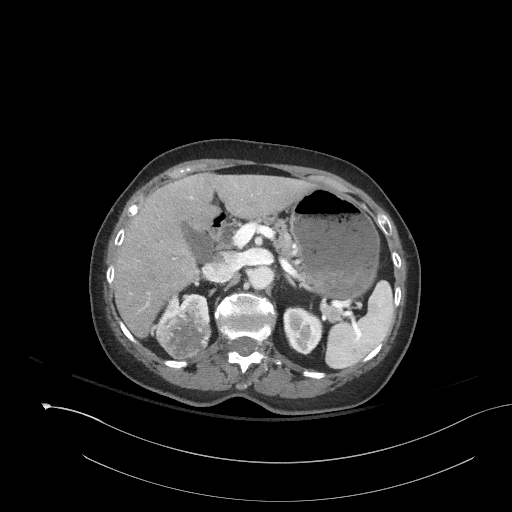
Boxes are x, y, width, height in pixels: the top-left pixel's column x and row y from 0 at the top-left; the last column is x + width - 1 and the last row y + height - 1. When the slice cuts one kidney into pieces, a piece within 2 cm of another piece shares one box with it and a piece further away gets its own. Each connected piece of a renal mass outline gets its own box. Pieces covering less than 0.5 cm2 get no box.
Slice 111/153 of a contrast-enhanced abdominal CT, counting up from the lowest; pixel size 0.893 mm, slice thickness 3.00 mm. Three boxes on this slice (two kidney boxes and one renal mass box), listed by box centre from the image's left to its right. (1) Box x 156, y 308, width 56, height 52: right renal mass (outlined area 2,188 px, about 17.4 cm2). (2) Box x 159, y 291, width 52, height 34: right kidney (outlined area 800 px, about 6.4 cm2). (3) Box x 283, y 306, width 41, height 49: left kidney (outlined area 1,500 px, about 12.0 cm2).
Acquired at 120 kVp and reconstructed with the I41f kernel.